Abdominal CT with intravenous contrast, arterial phase, axial plane, 120 kVp, kernel B30f. Slice 460/723 from the bottom of the scan; thickness 1.00 mm; pixel size 0.895 mm.
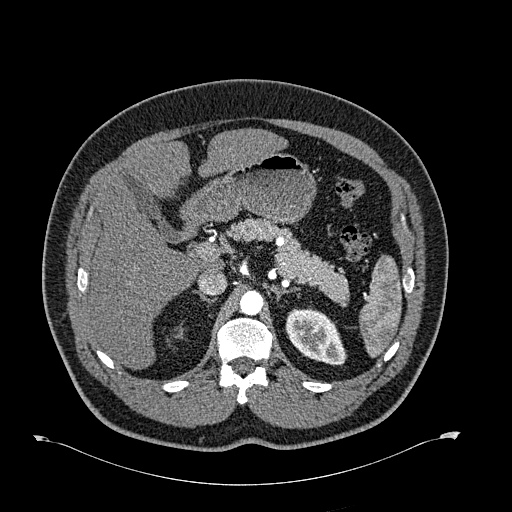
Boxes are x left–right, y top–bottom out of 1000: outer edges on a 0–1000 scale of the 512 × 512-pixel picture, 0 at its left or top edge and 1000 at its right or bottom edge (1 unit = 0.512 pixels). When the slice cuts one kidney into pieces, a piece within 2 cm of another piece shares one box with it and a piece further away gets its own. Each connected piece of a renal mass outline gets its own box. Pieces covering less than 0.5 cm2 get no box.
Left kidney, box x 557–680, y 600–715 out of 1000 (outlined area 2,486 px, about 19.9 cm2). This slice carries no renal mass outline.